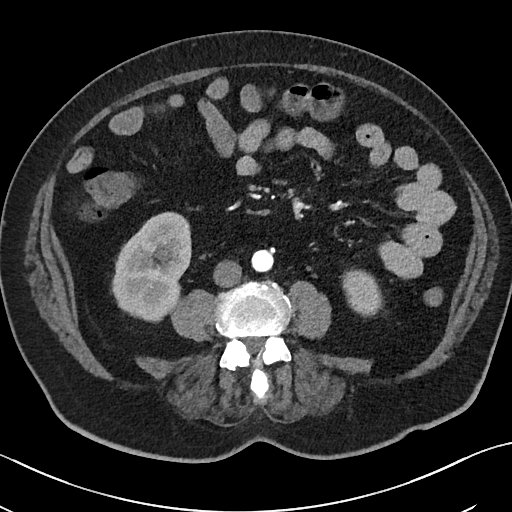
Axial slice 11 of 50 of a contrast-enhanced abdominal CT (slice 1 is the lowest), 100 kVp, kernel I40f; 5.00 mm slice thickness and 0.723 mm pixels.
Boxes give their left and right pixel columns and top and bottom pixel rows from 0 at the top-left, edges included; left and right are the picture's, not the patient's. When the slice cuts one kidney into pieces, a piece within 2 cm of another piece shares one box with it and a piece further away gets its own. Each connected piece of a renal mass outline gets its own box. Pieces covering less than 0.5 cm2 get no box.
Two boxes on this slice (two kidney boxes), listed by box centre from the image's left to its right. (1) Right kidney in the box with left 112, top 212, right 191, bottom 321 (outlined area 6,390 px, about 33.4 cm2). (2) Left kidney, the box with left 342, top 269, right 382, bottom 316 (outlined area 1,450 px, about 7.6 cm2). No renal mass is outlined on this slice.